One axial slice (55 of 143, counting up from the lowest) of a contrast-enhanced abdominal CT acquired with 100 kVp, kernel I41f; each pixel is 0.734 mm and the slice is 5.00 mm thick.
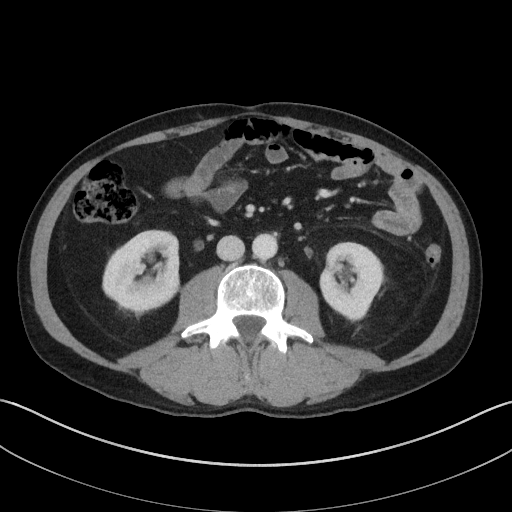
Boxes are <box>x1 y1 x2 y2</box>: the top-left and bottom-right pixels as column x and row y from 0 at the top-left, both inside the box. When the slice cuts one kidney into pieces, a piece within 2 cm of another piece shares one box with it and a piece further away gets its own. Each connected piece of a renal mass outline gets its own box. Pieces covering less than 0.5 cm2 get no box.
Boxed on this slice (two kidney boxes), listed by box centre from the image's left to its right: (1) Right kidney at <box>102 229 179 311</box> (outlined area 5,033 px, about 27.1 cm2). (2) Left kidney at <box>319 241 384 322</box> (outlined area 3,837 px, about 20.7 cm2). This slice carries no renal mass outline.